One axial slice (25 of 109, counting up from the lowest) of a contrast-enhanced abdominal CT acquired with 120 kVp, kernel I30f; each pixel is 0.742 mm and the slice is 3.00 mm thick.
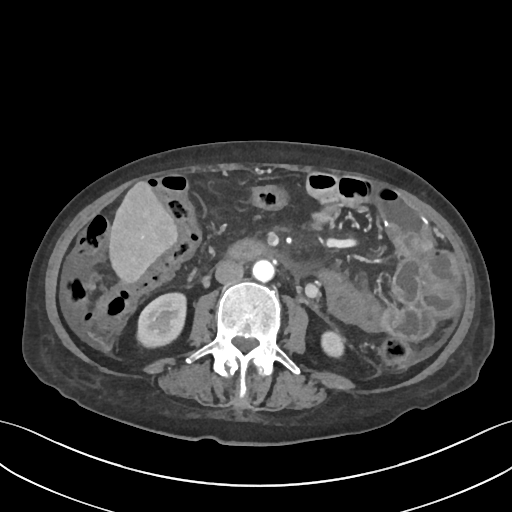
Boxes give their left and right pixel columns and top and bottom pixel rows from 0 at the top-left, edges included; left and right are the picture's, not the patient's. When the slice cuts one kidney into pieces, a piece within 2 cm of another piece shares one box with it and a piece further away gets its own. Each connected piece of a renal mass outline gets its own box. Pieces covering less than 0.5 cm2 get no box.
Two kidney boxes on this slice; by box centre, from the image's left to its right: (1) Right kidney, the box with left 136, top 292, right 186, bottom 348 (outlined area 2,244 px, about 12.4 cm2). (2) Box with left 320, top 328, right 344, bottom 358: left kidney (outlined area 570 px, about 3.1 cm2). This slice carries no renal mass outline.